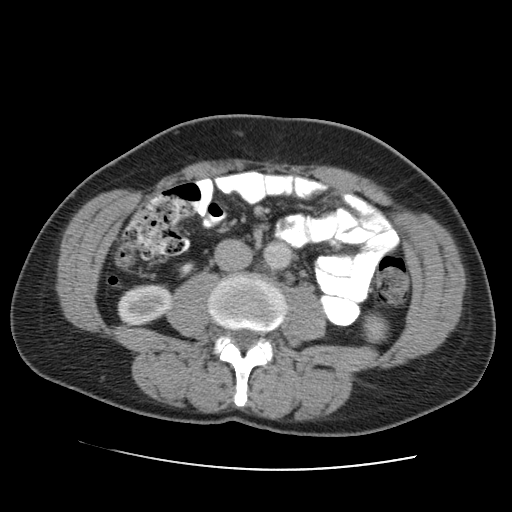
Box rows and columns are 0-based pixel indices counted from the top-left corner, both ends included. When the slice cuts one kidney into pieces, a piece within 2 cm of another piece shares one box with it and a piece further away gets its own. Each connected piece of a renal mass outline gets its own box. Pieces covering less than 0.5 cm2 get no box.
This is axial slice 59 of 105 (slice 1 is the lowest) of an arterial-phase abdominal CT with contrast; each pixel is 0.707 mm and the slice is 5.00 mm thick. Two boxes on this slice (two kidney boxes), listed by box centre from the image's left to its right. (1) Right kidney at rows 284–325, columns 117–171 (outlined area 1,840 px, about 9.2 cm2). (2) Left kidney, box rows 312–343, columns 362–389 (outlined area 690 px, about 3.4 cm2). No renal mass outline on this slice.
Tube voltage 120 kVp; convolution kernel STANDARD.